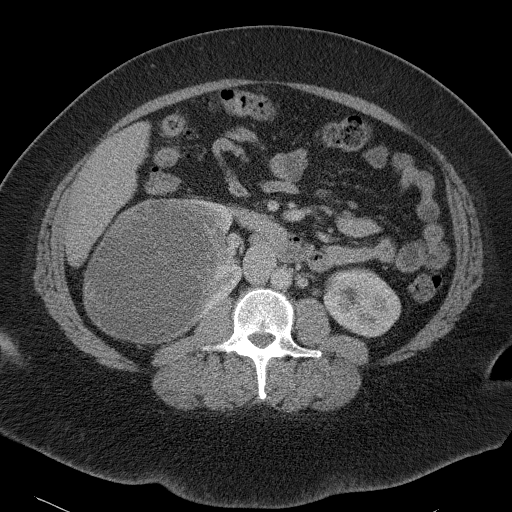
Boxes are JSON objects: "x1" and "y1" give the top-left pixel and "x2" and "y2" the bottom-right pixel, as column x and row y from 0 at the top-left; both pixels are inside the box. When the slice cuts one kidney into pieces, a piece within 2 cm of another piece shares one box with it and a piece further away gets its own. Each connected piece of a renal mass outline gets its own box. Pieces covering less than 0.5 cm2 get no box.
Contrast-enhanced abdominal CT, axial slice 56 of 90 (counted from the lowest slice); 5.00 mm thick, 0.781 mm per pixel. Boxed on this slice (two kidney boxes and one renal mass box), listed by box centre from the image's left to its right: (1) Box {"x1": 83, "y1": 198, "x2": 219, "y2": 343}: right renal mass (outlined area 15,514 px, about 94.7 cm2). (2) Right kidney, box {"x1": 184, "y1": 198, "x2": 243, "y2": 324} (outlined area 2,458 px, about 15.0 cm2). (3) Box {"x1": 323, "y1": 267, "x2": 401, "y2": 337}: left kidney (outlined area 4,064 px, about 24.8 cm2).
Tube voltage 120 kVp; convolution kernel B41f.